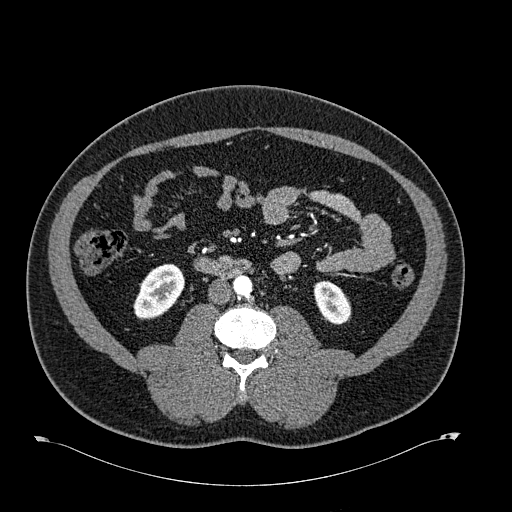
Arterial-phase contrast-enhanced abdominal CT, axial slice 285 of 723 (counted from the lowest slice); tube voltage 120 kVp, convolution kernel B30f; slices 1.00 mm thick, 0.895 mm per pixel.
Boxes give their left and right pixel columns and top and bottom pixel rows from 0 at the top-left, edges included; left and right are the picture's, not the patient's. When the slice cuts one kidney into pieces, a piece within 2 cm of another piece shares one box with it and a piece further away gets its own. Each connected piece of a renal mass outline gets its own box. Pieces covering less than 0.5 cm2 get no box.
Two kidney boxes on this slice; by box centre, from the image's left to its right: (1) Box with left 133, top 263, right 183, bottom 318: right kidney (outlined area 2,002 px, about 16.0 cm2). (2) Left kidney in the box with left 313, top 280, right 350, bottom 324 (outlined area 1,221 px, about 9.8 cm2). No renal mass outline on this slice.